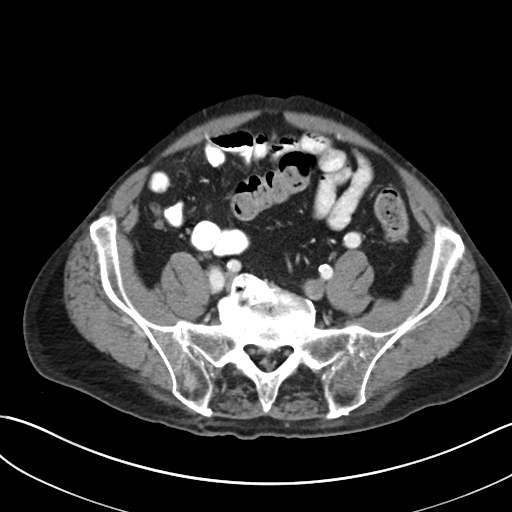
Contrast-enhanced abdominal CT, axial slice 75 of 269 (counted from the lowest slice); tube voltage 100 kVp, convolution kernel I30f; slices 5.00 mm thick, 0.732 mm per pixel.
No kidney and no renal mass is outlined on this slice; the outlines in this scan cover only the kidneys and the renal masses, so nothing is said about any other organ.